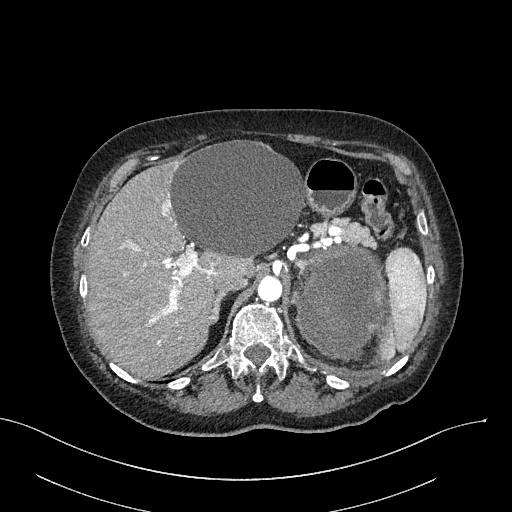
One axial slice (200 of 316, counting up from the lowest) of an arterial-phase abdominal CT acquired with 100 kVp, kernel I40f; each pixel is 0.840 mm and the slice is 2.00 mm thick.
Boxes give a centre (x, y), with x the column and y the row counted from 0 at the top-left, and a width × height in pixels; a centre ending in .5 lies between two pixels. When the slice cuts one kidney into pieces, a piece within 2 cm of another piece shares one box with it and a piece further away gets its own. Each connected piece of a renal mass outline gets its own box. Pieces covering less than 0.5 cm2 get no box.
Left renal mass, box centre (340.5, 303), 88 × 115 pixels (outlined area 8,079 px, about 57.0 cm2); this slice has no kidney outline, though on another slice the same outlined renal mass lies within 1 cm of the kidney.